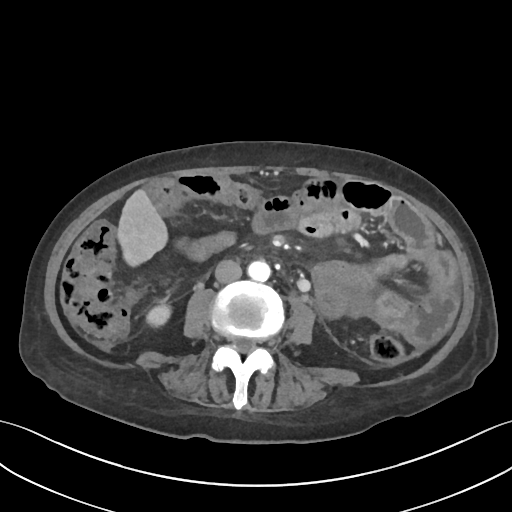
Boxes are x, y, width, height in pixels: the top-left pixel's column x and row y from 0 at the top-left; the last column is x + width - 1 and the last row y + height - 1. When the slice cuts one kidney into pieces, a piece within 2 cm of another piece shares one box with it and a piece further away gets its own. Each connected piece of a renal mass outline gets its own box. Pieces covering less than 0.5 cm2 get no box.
This is axial slice 18 of 109 (slice 1 is the lowest) of an abdominal CT with contrast; each pixel is 0.742 mm and the slice is 3.00 mm thick. Right kidney, box x 146, y 304, width 27, height 23 (outlined area 465 px, about 2.6 cm2). No renal mass is outlined on this slice.
Tube voltage 120 kVp; convolution kernel I30f.